Contrast-enhanced abdominal CT, axial slice 62 of 105 (counted from the lowest slice); tube voltage 120 kVp, convolution kernel B; slices 3.00 mm thick, 0.977 mm per pixel.
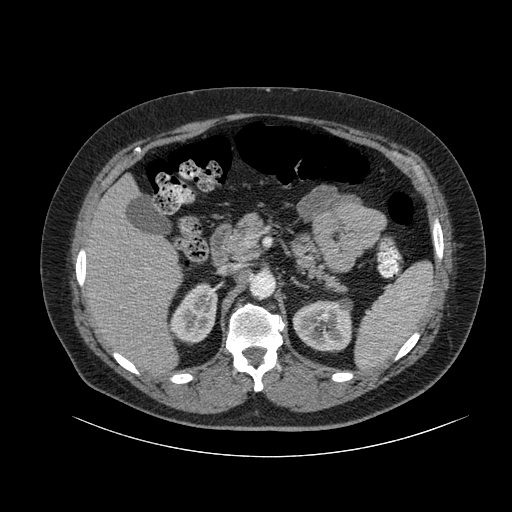
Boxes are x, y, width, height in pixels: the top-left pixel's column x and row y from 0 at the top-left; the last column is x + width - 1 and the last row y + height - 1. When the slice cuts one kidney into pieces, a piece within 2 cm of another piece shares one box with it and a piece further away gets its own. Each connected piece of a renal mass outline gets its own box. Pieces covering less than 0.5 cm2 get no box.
Two kidney boxes on this slice; by box centre, from the image's left to its right: (1) Box x 170, y 282, width 48, height 64: right kidney (outlined area 2,118 px, about 20.2 cm2). (2) Left kidney at x 292, y 300, width 61, height 53 (outlined area 2,506 px, about 23.9 cm2). No renal mass is outlined on this slice.